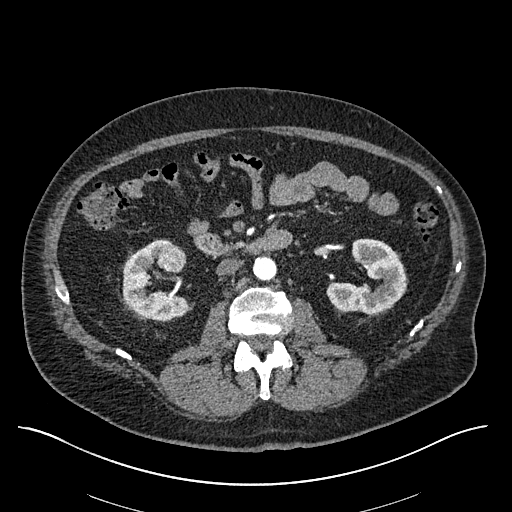
Axial slice 311 of 670 of a contrast-enhanced abdominal CT in the arterial phase (slice 1 is the lowest), 120 kVp, kernel I30f; 1.00 mm slice thickness and 0.861 mm pixels.
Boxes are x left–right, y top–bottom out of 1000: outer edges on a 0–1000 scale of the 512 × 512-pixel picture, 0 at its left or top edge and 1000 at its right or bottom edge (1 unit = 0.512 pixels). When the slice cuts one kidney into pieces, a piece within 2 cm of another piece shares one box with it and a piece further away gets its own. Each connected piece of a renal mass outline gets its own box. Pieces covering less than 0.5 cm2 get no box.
Boxed on this slice (two kidney boxes and one renal mass box), listed by box centre from the image's left to its right: (1) Right kidney at x 238–371, y 467–627 out of 1000 (outlined area 3,293 px, about 24.4 cm2). (2) Right renal mass at x 307–365, y 475–533 out of 1000 (outlined area 704 px, about 5.2 cm2). (3) Left kidney at x 637–795, y 465–615 out of 1000 (outlined area 3,793 px, about 28.1 cm2).